One axial slice (48 of 69, counting up from the lowest) of a contrast-enhanced abdominal CT acquired with 140 kVp, kernel I41f; each pixel is 0.736 mm and the slice is 3.00 mm thick.
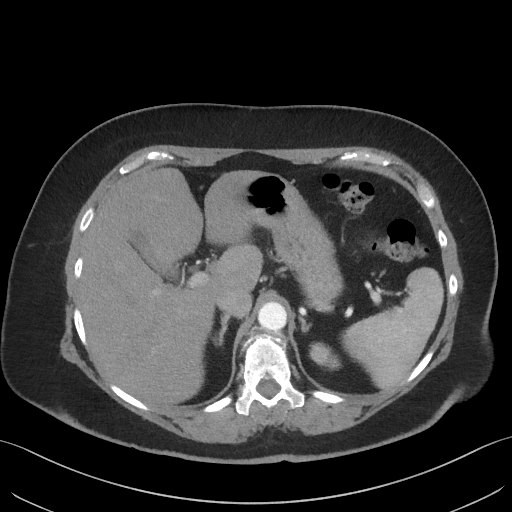
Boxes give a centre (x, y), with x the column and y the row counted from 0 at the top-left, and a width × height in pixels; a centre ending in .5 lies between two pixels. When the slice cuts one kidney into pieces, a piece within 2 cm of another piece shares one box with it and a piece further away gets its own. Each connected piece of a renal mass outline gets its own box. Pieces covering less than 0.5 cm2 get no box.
Left kidney, box centre (325, 356), 33 × 29 pixels (outlined area 625 px, about 3.4 cm2). No renal mass outline on this slice.